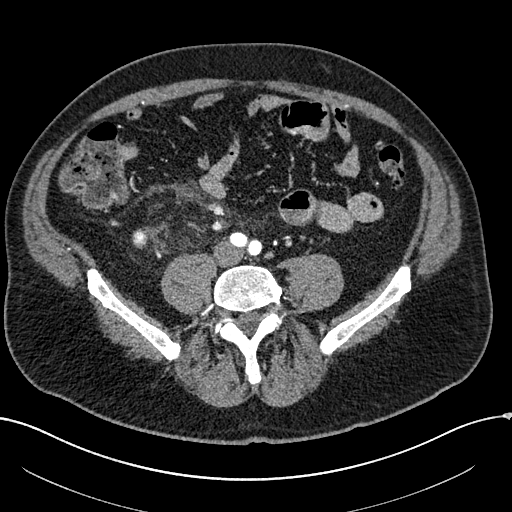
One axial slice (21 of 304, counting up from the lowest) of an arterial-phase abdominal CT acquired with 100 kVp, kernel I30f; each pixel is 0.809 mm and the slice is 2.00 mm thick.
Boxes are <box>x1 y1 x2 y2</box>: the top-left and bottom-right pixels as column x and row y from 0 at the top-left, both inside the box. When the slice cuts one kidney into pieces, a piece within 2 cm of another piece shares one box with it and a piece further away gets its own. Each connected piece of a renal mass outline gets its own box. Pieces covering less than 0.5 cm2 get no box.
One kidney box and one renal mass box on this slice; by box centre, from the image's left to its right: (1) Right kidney: <box>131 232 146 247</box> (outlined area 149 px, about 1.0 cm2). (2) Right renal mass at <box>135 228 147 242</box> (outlined area 108 px, about 0.7 cm2).